Arterial-phase contrast-enhanced abdominal CT, axial slice 146 of 199 (counted from the lowest slice); tube voltage 120 kVp, convolution kernel STANDARD; slices 2.50 mm thick, 0.789 mm per pixel.
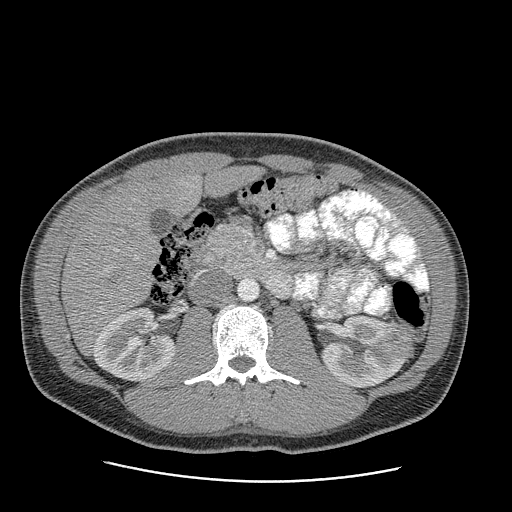
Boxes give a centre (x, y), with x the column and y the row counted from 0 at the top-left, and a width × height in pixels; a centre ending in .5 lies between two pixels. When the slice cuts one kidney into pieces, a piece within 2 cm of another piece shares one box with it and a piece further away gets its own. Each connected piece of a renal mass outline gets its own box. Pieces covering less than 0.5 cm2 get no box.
Boxed on this slice (two kidney boxes and one renal mass box), listed by box centre from the image's left to its right: (1) Right kidney in a box with centre (133.5, 343.5), 82 × 72 pixels (outlined area 4,314 px, about 26.9 cm2). (2) Left kidney, box centre (364, 351.5), 85 × 74 pixels (outlined area 3,585 px, about 22.3 cm2). (3) Box centre (394, 343), 39 × 45 pixels: left renal mass (outlined area 1,348 px, about 8.4 cm2).